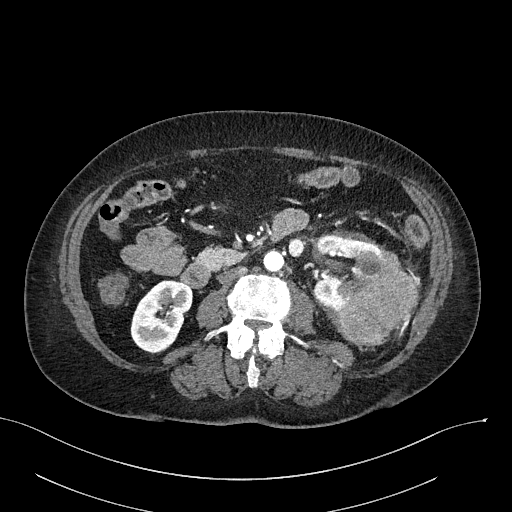
Abdominal CT with intravenous contrast, arterial phase, axial plane, 100 kVp, kernel I40f. Slice 111/316 from the bottom of the scan; thickness 2.00 mm; pixel size 0.840 mm.
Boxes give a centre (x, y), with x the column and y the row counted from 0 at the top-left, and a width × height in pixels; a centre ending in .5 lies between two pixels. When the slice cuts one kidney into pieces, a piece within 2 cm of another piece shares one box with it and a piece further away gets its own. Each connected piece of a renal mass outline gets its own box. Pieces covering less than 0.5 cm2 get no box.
Two kidney boxes and one renal mass box on this slice; by box centre, from the image's left to its right: (1) Right kidney, box centre (160.5, 316.5), 62 × 74 pixels (outlined area 3,230 px, about 22.8 cm2). (2) Box centre (348, 273.5), 71 × 80 pixels: left kidney (outlined area 3,520 px, about 24.8 cm2). (3) Box centre (378.5, 296.5), 82 × 98 pixels: left renal mass (outlined area 4,648 px, about 32.8 cm2).